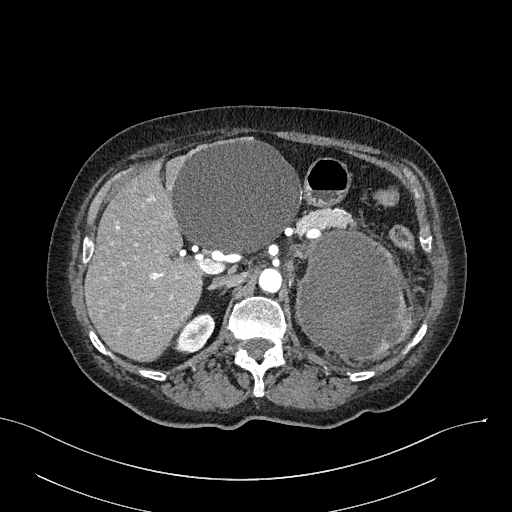
Abdominal CT with intravenous contrast, arterial phase, axial plane, 100 kVp, kernel I40f. Slice 179/316 from the bottom of the scan; thickness 2.00 mm; pixel size 0.840 mm.
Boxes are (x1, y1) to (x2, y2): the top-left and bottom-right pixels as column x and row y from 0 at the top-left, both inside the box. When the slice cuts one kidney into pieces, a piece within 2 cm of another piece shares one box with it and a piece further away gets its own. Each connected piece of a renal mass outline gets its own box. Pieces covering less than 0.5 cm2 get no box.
One kidney box and one renal mass box on this slice; by box centre, from the image's left to its right: (1) Right kidney from (173, 313) to (214, 354) (outlined area 1,124 px, about 7.9 cm2). (2) Left renal mass from (294, 229) to (412, 361) (outlined area 11,716 px, about 82.6 cm2); it sits over 1 cm from every kidney outline on this slice, but the same outlined renal mass comes within 1 cm of the kidney on another slice.